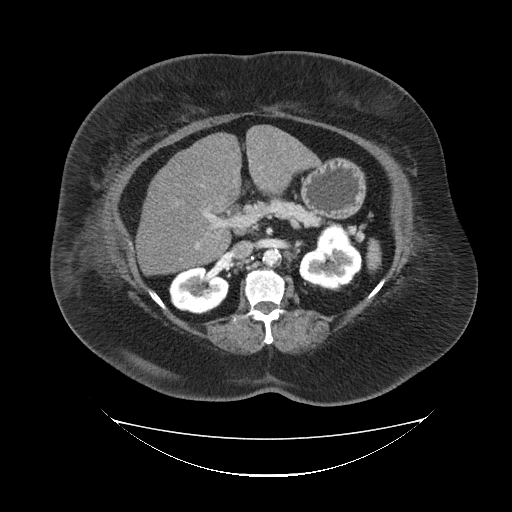
Axial slice 62 of 85 of a contrast-enhanced abdominal CT in the arterial phase (slice 1 is the lowest), 120 kVp, kernel FC19; 5.00 mm slice thickness and 1.041 mm pixels.
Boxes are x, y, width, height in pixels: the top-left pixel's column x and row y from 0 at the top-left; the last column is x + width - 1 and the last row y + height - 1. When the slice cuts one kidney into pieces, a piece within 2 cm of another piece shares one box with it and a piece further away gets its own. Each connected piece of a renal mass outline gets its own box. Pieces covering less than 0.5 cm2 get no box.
Two kidney boxes on this slice; by box centre, from the image's left to its right: (1) Right kidney, box x 168, y 266, width 62, height 49 (outlined area 2,180 px, about 23.6 cm2). (2) Box x 299, y 223, width 64, height 68: left kidney (outlined area 2,901 px, about 31.4 cm2). This slice carries no renal mass outline.